Abdominal CT with intravenous contrast, arterial phase, axial plane, 120 kVp, kernel B30f. Slice 290/538 from the bottom of the scan; thickness 1.00 mm; pixel size 0.811 mm.
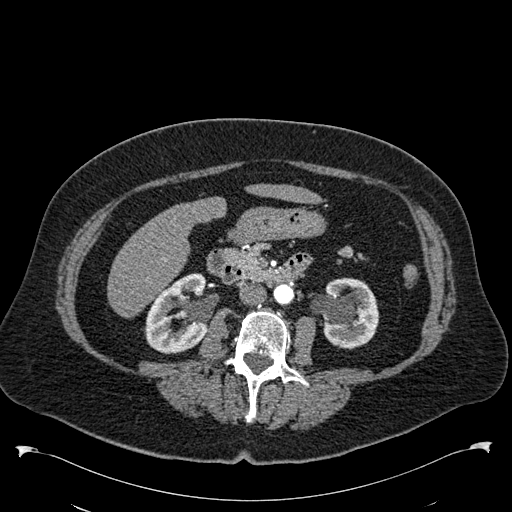
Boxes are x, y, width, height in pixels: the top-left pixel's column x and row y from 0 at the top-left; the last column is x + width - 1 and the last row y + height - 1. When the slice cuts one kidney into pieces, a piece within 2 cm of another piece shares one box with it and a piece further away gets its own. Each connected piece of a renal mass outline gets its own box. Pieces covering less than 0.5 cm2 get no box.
Two kidney boxes on this slice; by box centre, from the image's left to its right: (1) Right kidney, box x 144, y 273, width 64, height 81 (outlined area 3,745 px, about 24.6 cm2). (2) Box x 310, y 277, width 69, height 72: left kidney (outlined area 3,493 px, about 22.9 cm2). No renal mass outline on this slice.